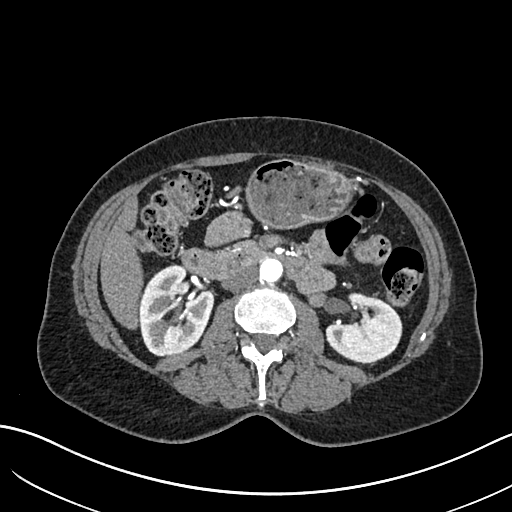
One axial slice (359 of 683, counting up from the lowest) of an arterial-phase abdominal CT acquired with 120 kVp, kernel I30f; each pixel is 0.738 mm and the slice is 1.00 mm thick.
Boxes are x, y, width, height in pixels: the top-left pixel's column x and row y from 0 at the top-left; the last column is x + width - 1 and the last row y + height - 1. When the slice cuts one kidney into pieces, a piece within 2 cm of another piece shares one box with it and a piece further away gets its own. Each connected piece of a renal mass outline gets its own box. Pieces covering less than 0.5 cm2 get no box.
Two kidney boxes on this slice; by box centre, from the image's left to its right: (1) Right kidney at x 138, y 264, width 77, height 92 (outlined area 5,172 px, about 28.2 cm2). (2) Left kidney at x 325, y 292, width 78, height 70 (outlined area 3,751 px, about 20.4 cm2). This slice carries no renal mass outline.